One axial slice (347 of 591, counting up from the lowest) of an arterial-phase abdominal CT acquired with 140 kVp, kernel I30f; each pixel is 0.703 mm and the slice is 1.00 mm thick.
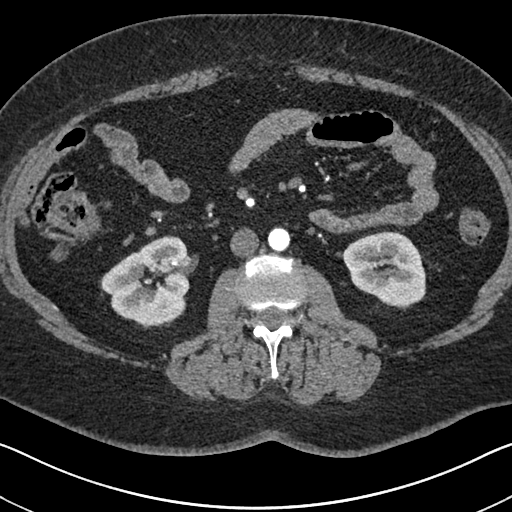
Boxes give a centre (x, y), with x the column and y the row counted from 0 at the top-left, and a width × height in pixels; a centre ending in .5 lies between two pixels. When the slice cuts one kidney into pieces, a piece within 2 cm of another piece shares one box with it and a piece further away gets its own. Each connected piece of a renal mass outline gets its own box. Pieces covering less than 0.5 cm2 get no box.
Two boxes on this slice (two kidney boxes), listed by box centre from the image's left to its right. (1) Box centre (145.5, 282), 92 × 93 pixels: right kidney (outlined area 5,865 px, about 29.0 cm2). (2) Box centre (383.5, 269), 84 × 77 pixels: left kidney (outlined area 4,732 px, about 23.4 cm2). No renal mass is outlined on this slice.